One axial slice (12 of 34, counting up from the lowest) of an arterial-phase abdominal CT acquired with 120 kVp, kernel B30f; each pixel is 0.830 mm and the slice is 5.00 mm thick.
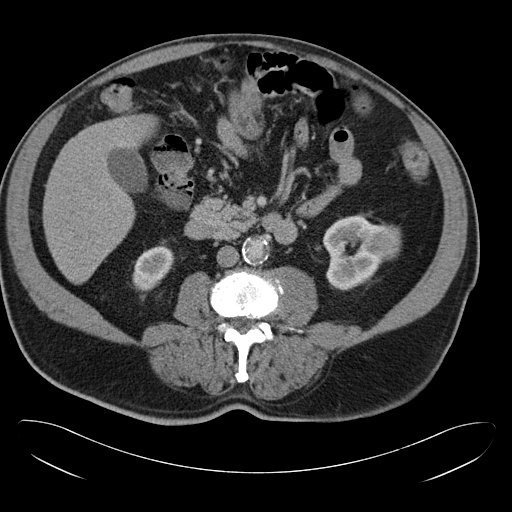
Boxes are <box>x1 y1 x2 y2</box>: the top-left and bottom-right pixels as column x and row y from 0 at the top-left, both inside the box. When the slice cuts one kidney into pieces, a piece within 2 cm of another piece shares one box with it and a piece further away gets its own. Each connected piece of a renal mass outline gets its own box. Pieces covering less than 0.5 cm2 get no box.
Three boxes on this slice (two kidney boxes and one renal mass box), listed by box centre from the image's left to its right. (1) Right kidney: <box>132 244 174 291</box> (outlined area 1,383 px, about 9.5 cm2). (2) Left kidney at <box>322 215 387 290</box> (outlined area 3,102 px, about 21.4 cm2). (3) Left renal mass at <box>361 225 401 262</box> (outlined area 982 px, about 6.8 cm2).